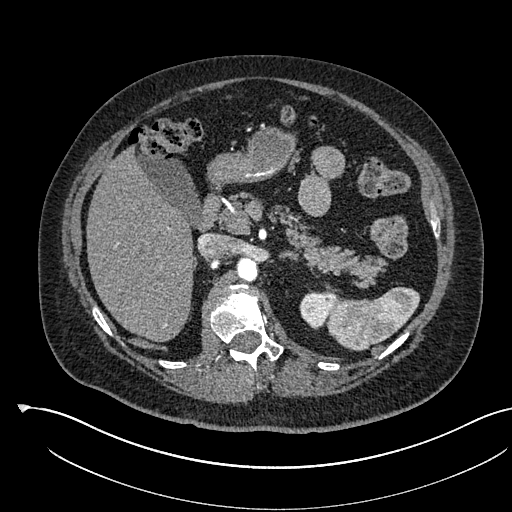
One axial slice (380 of 541, counting up from the lowest) of an arterial-phase abdominal CT acquired with 120 kVp, kernel I30f; each pixel is 0.834 mm and the slice is 1.00 mm thick.
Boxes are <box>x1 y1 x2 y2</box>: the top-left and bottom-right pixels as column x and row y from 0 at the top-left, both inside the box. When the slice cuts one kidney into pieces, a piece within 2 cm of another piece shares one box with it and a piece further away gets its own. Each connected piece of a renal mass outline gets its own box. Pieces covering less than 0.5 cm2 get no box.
At <box>299 290 335 329</box>: left kidney (outlined area 991 px, about 6.9 cm2). No renal mass is outlined on this slice.